Arterial-phase contrast-enhanced abdominal CT, axial slice 30 of 70 (counted from the lowest slice); tube voltage 120 kVp, convolution kernel B30f; slices 5.00 mm thick, 0.977 mm per pixel.
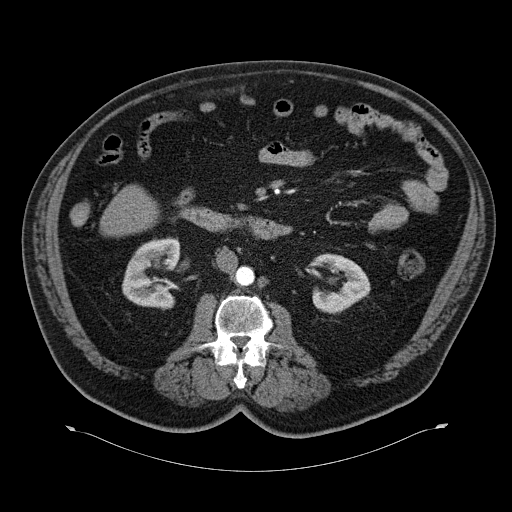
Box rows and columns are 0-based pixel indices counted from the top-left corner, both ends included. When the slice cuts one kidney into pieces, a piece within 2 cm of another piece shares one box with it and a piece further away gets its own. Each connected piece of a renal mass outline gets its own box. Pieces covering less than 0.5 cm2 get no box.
Two boxes on this slice (two kidney boxes), listed by box centre from the image's left to its right. (1) Right kidney at rows 238–309, columns 122–180 (outlined area 3,018 px, about 28.8 cm2). (2) Box rows 255–311, columns 310–370: left kidney (outlined area 2,245 px, about 21.4 cm2). This slice carries no renal mass outline.